Abdominal CT with intravenous contrast, arterial phase, axial plane, 100 kVp, kernel I30f. Slice 34/304 from the bottom of the scan; thickness 2.00 mm; pixel size 0.809 mm.
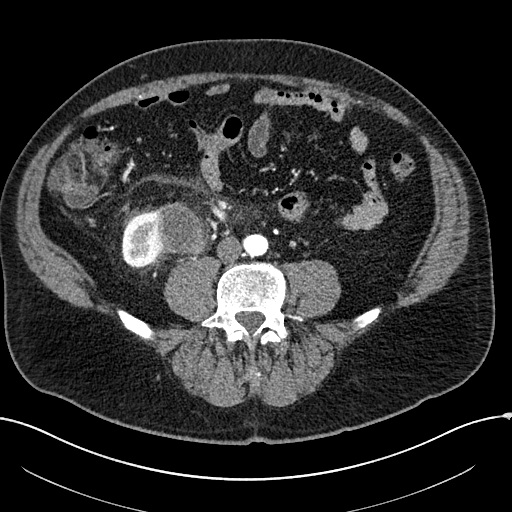
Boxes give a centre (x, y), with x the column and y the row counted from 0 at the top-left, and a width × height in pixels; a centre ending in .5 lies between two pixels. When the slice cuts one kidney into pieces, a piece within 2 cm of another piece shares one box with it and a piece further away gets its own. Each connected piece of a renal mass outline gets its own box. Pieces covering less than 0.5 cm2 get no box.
Boxed on this slice (one kidney box and one renal mass box), listed by box centre from the image's left to its right: (1) Right kidney in a box with centre (144, 239), 47 × 59 pixels (outlined area 1,815 px, about 11.9 cm2). (2) Right renal mass in a box with centre (182.5, 228), 54 × 53 pixels (outlined area 2,248 px, about 14.7 cm2).